Abdominal CT with intravenous contrast, arterial phase, axial plane, 140 kVp, kernel I30f. Slice 458/673 from the bottom of the scan; thickness 1.00 mm; pixel size 0.957 mm.
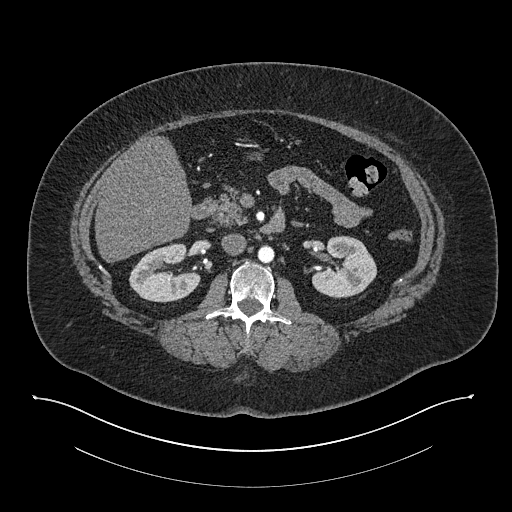
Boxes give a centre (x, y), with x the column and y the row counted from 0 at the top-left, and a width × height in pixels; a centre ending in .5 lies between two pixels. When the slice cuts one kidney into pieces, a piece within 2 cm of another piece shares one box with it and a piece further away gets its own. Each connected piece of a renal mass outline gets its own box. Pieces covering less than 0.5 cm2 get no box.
Boxed on this slice (two kidney boxes), listed by box centre from the image's left to its right: (1) Right kidney, box centre (164.5, 272.5), 72 × 60 pixels (outlined area 2,986 px, about 27.3 cm2). (2) Left kidney in a box with centre (344, 266.5), 67 × 64 pixels (outlined area 3,009 px, about 27.6 cm2). No renal mass outline on this slice.